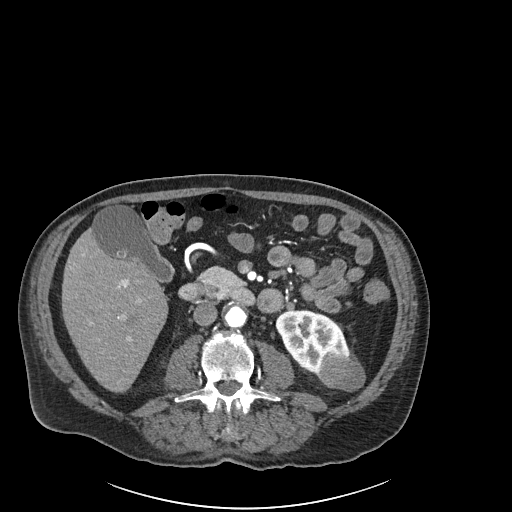
Arterial-phase contrast-enhanced abdominal CT, axial slice 85 of 261 (counted from the lowest slice); tube voltage 120 kVp, convolution kernel I30f; slices 2.00 mm thick, 0.939 mm per pixel.
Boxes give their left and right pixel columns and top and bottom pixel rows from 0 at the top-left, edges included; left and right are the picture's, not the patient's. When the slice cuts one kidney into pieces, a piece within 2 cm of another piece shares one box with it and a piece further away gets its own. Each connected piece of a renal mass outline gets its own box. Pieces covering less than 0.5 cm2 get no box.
Two boxes on this slice (one kidney box and one renal mass box), listed by box centre from the image's left to its right. (1) Left kidney, the box with left 275, top 310, right 349, bottom 377 (outlined area 3,035 px, about 26.8 cm2). (2) Left renal mass, the box with left 319, top 355, right 365, bottom 391 (outlined area 1,379 px, about 12.2 cm2).